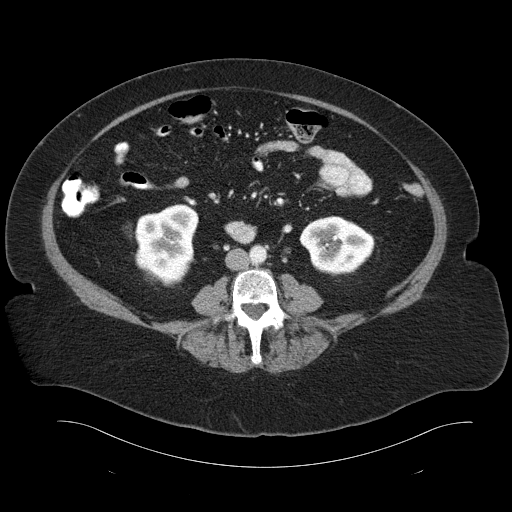
Abdominal CT with intravenous contrast, axial plane, 120 kVp, kernel B30f. Slice 48/93 from the bottom of the scan; thickness 5.00 mm; pixel size 0.938 mm.
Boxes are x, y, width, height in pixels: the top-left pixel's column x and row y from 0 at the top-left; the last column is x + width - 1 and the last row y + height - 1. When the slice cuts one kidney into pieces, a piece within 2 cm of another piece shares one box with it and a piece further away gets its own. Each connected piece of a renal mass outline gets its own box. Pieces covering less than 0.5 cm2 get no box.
Two boxes on this slice (two kidney boxes), listed by box centre from the image's left to its right. (1) Right kidney at x 134, y 204, width 65, height 84 (outlined area 4,135 px, about 36.3 cm2). (2) Left kidney, box x 299, y 216, width 76, height 61 (outlined area 3,323 px, about 29.2 cm2). No renal mass is outlined on this slice.